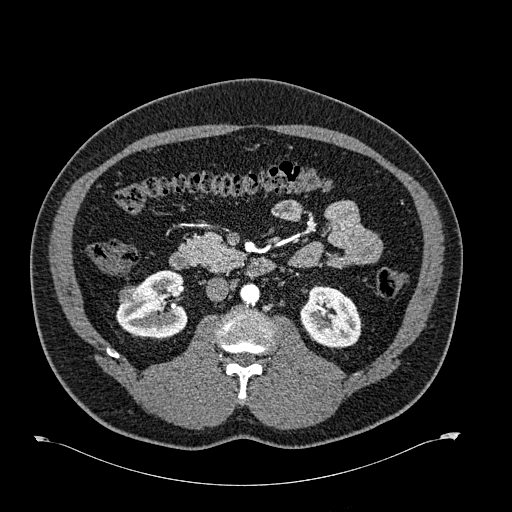
One axial slice (346 of 723, counting up from the lowest) of an arterial-phase abdominal CT acquired with 120 kVp, kernel B30f; each pixel is 0.895 mm and the slice is 1.00 mm thick.
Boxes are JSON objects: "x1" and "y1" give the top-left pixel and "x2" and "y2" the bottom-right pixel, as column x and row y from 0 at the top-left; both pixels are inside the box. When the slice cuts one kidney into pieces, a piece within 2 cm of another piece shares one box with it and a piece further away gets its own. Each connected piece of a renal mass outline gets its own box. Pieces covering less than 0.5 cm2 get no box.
Two kidney boxes and one renal mass box on this slice; by box centre, from the image's left to its right: (1) Right renal mass, box {"x1": 119, "y1": 285, "x2": 138, "y2": 304} (outlined area 312 px, about 2.5 cm2). (2) Right kidney, box {"x1": 116, "y1": 270, "x2": 188, "y2": 339} (outlined area 3,504 px, about 28.0 cm2). (3) Box {"x1": 300, "y1": 285, "x2": 360, "y2": 348}: left kidney (outlined area 2,924 px, about 23.4 cm2).